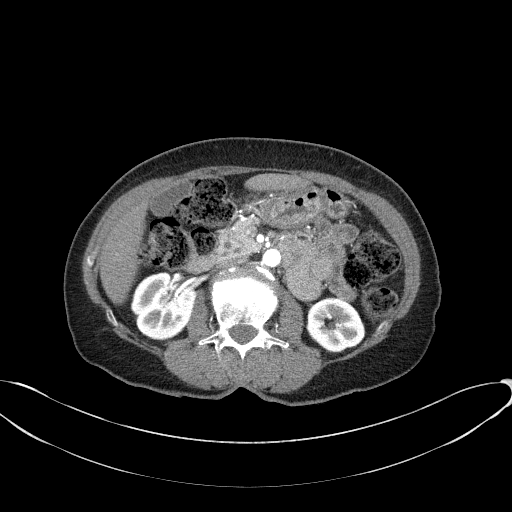
Abdominal CT with intravenous contrast, arterial phase, axial plane, 100 kVp, kernel B41f. Slice 30/77 from the bottom of the scan; thickness 3.00 mm; pixel size 0.809 mm.
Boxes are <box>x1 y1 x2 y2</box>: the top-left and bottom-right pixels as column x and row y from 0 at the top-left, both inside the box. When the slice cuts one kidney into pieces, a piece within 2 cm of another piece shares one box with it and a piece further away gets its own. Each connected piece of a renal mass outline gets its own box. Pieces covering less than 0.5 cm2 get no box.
Two kidney boxes on this slice; by box centre, from the image's left to its right: (1) Right kidney at <box>130 271 196 340</box> (outlined area 3,431 px, about 22.4 cm2). (2) Left kidney: <box>306 297 365 352</box> (outlined area 2,517 px, about 16.5 cm2). No renal mass outline on this slice.